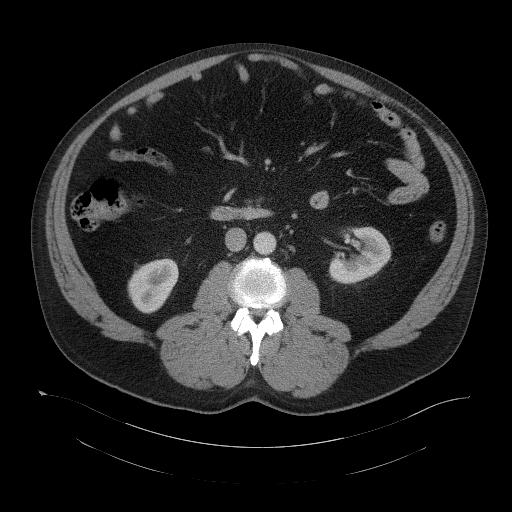
One axial slice (61 of 104, counting up from the lowest) of a contrast-enhanced abdominal CT acquired with 120 kVp, kernel B41f; each pixel is 0.977 mm and the slice is 5.00 mm thick.
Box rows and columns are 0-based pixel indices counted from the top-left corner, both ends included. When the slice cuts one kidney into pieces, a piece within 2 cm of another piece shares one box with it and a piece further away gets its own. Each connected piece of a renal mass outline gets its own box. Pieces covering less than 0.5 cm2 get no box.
Boxed on this slice (two kidney boxes), listed by box centre from the image's left to its right: (1) Box rows 258–313, columns 127–178: right kidney (outlined area 2,052 px, about 19.6 cm2). (2) Left kidney at rows 225–284, columns 328–391 (outlined area 2,246 px, about 21.4 cm2). No renal mass outline on this slice.